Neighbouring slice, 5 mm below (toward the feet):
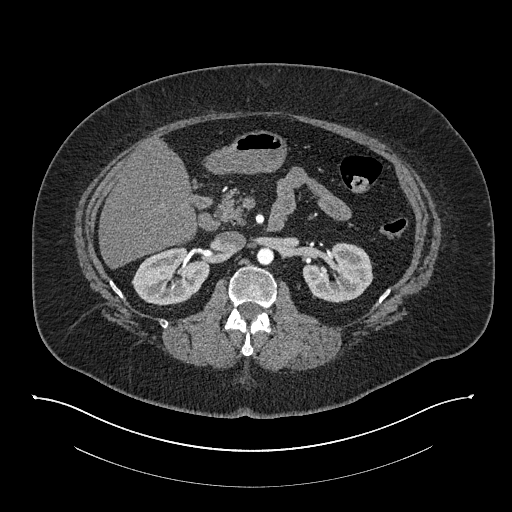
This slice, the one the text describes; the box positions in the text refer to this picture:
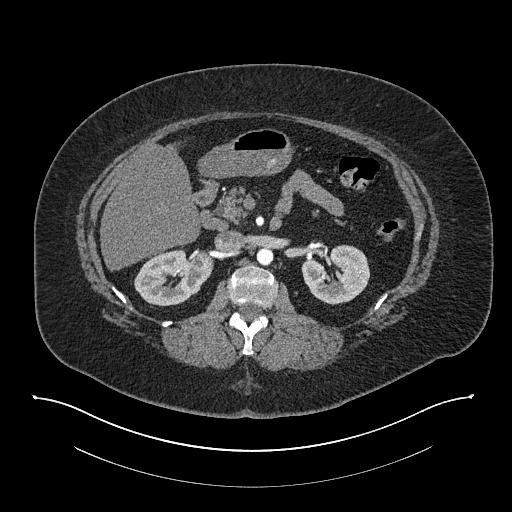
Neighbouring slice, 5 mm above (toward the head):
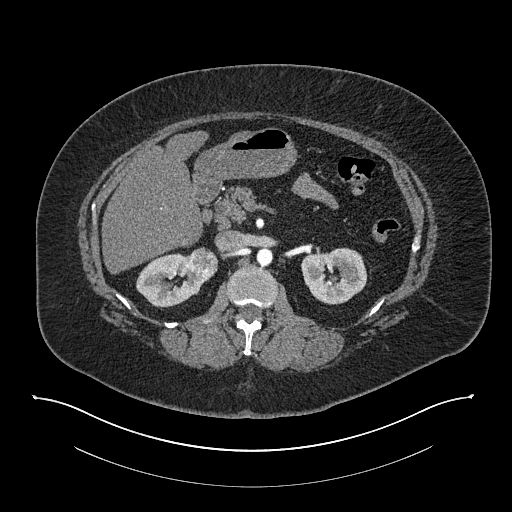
Axial slice 493 of 673 of a contrast-enhanced abdominal CT in the arterial phase (slice 1 is the lowest), 140 kVp, kernel I30f; 1.00 mm slice thickness and 0.957 mm pixels.
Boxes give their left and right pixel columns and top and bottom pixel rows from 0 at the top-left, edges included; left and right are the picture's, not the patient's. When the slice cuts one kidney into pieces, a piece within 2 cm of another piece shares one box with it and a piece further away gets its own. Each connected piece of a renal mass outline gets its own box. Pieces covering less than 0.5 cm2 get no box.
Boxed on this slice (two kidney boxes and one renal mass box), listed by box centre from the image's left to its right: (1) Right kidney, the box with left 134, top 248, right 213, bottom 306 (outlined area 3,161 px, about 29.0 cm2). (2) Box with left 194, top 253, right 210, bottom 266: right renal mass (outlined area 184 px, about 1.7 cm2). (3) Left kidney, the box with left 301, top 244, right 370, bottom 304 (outlined area 3,018 px, about 27.6 cm2). This slice is near the end of the right renal mass toward the feet, so the slices 5 mm below and 5 mm above it are shown as well; the boxes refer to this slice only.